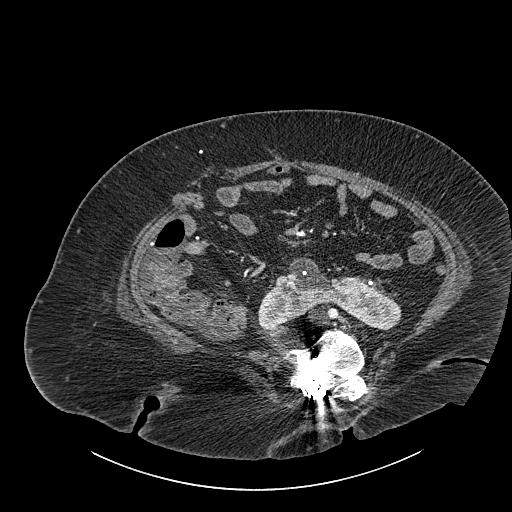
Axial slice 462 of 834 of a contrast-enhanced abdominal CT (slice 1 is the lowest), 140 kVp, kernel I30f; 1.00 mm slice thickness and 0.977 mm pixels.
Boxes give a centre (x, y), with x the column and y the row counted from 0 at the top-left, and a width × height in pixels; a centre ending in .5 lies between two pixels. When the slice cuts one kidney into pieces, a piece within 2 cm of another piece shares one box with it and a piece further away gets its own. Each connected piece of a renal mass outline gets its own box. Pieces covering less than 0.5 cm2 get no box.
Kidney crossing the body midline, box centre (329, 293.5), 145 × 72 pixels (outlined area 5,717 px, about 54.5 cm2). No renal mass is outlined on this slice.